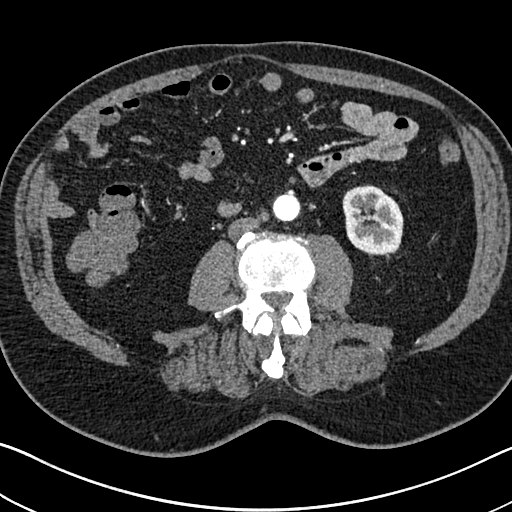
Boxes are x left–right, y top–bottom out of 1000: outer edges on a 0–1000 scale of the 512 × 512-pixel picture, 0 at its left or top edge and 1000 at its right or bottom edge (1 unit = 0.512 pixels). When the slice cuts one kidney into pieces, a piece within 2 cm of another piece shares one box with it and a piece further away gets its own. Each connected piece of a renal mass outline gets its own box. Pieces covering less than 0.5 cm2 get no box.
Slice 314/705 of a contrast-enhanced abdominal CT in the arterial phase, counting up from the lowest; pixel size 0.703 mm, slice thickness 1.00 mm. Box x 668–789, y 359–500 out of 1000: left kidney (outlined area 3,468 px, about 17.1 cm2). No renal mass is outlined on this slice.
Scan settings: 120 kVp, I30f reconstruction kernel.